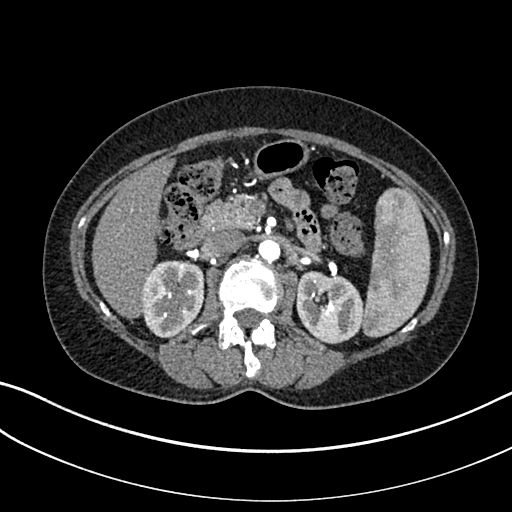
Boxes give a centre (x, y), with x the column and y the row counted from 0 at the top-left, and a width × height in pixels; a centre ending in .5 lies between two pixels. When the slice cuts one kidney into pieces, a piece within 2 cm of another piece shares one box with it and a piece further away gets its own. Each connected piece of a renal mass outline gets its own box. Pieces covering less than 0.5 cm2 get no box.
Arterial-phase contrast-enhanced abdominal CT, axial slice 183 of 325 (counted from the lowest slice); 1.00 mm thick, 0.703 mm per pixel. Boxed on this slice (two kidney boxes), listed by box centre from the image's left to its right: (1) Right kidney, box centre (172.5, 299), 64 × 79 pixels (outlined area 3,963 px, about 19.6 cm2). (2) Left kidney in a box with centre (329.5, 307.5), 68 × 74 pixels (outlined area 3,868 px, about 19.1 cm2). No renal mass outline on this slice.
Acquired at 100 kVp and reconstructed with the I30f kernel.